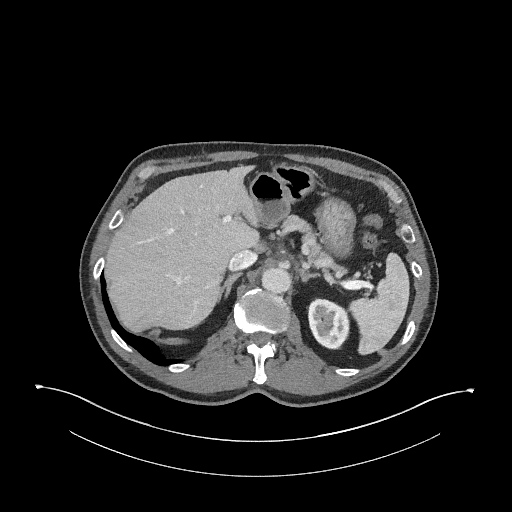
One axial slice (181 of 345, counting up from the lowest) of an arterial-phase abdominal CT acquired with 120 kVp, kernel I31f; each pixel is 0.977 mm and the slice is 2.00 mm thick.
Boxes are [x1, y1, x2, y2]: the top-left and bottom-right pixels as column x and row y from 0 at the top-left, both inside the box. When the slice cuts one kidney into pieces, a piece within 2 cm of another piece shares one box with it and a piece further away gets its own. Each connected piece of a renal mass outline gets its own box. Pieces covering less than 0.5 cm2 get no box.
Left kidney, box [307, 298, 349, 349] (outlined area 1,729 px, about 16.5 cm2). No renal mass outline on this slice.